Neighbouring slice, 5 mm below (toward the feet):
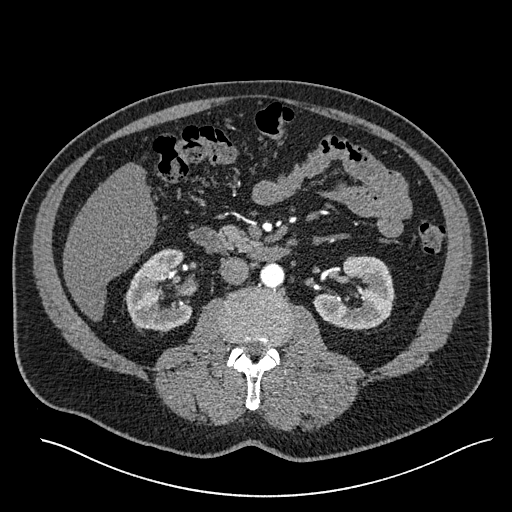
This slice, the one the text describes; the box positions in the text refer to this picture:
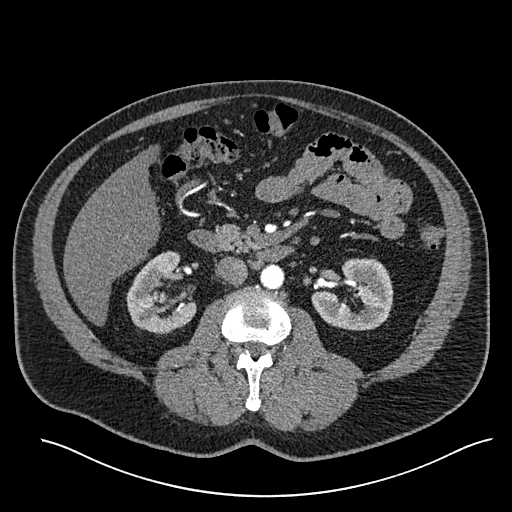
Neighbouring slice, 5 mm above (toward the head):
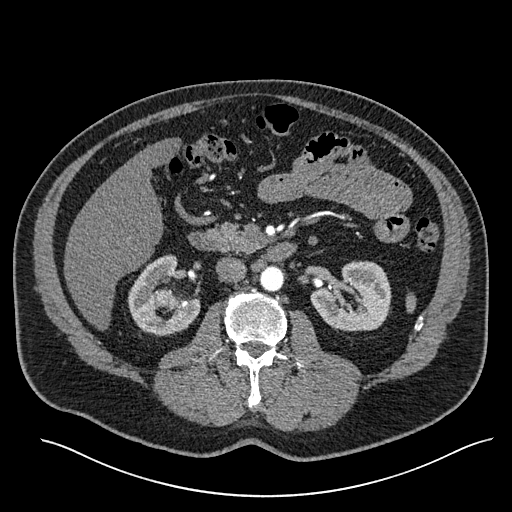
One axial slice (315 of 527, counting up from the lowest) of an arterial-phase abdominal CT acquired with 120 kVp, kernel I30f; each pixel is 0.859 mm and the slice is 1.00 mm thick.
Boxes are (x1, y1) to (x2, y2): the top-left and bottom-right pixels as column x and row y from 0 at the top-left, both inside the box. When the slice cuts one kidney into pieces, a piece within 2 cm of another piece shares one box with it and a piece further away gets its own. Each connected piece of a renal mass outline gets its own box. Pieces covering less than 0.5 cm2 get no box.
Three boxes on this slice (two kidney boxes and one renal mass box), listed by box centre from the image's left to its right. (1) Right kidney, box (126, 251) to (196, 334) (outlined area 3,803 px, about 28.1 cm2). (2) Box (158, 291) to (168, 302): right renal mass (outlined area 102 px, about 0.8 cm2). (3) Box (311, 258) to (393, 330): left kidney (outlined area 4,160 px, about 30.7 cm2). This slice lies near the end of the right renal mass toward the feet; the slices 5 mm below and 5 mm above it are shown too, and the boxes mark positions on this slice only.